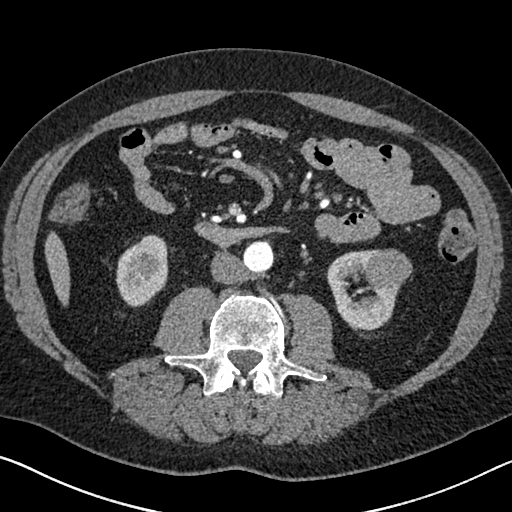
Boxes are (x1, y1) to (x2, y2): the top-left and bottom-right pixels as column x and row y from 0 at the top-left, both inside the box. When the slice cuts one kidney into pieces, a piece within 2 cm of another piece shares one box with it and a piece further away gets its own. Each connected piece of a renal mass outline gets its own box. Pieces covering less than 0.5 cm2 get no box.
This is axial slice 318 of 626 (slice 1 is the lowest) of an arterial-phase abdominal CT with contrast; each pixel is 0.703 mm and the slice is 1.00 mm thick. Boxed on this slice (two kidney boxes and one renal mass box), listed by box centre from the image's left to its right: (1) Right kidney, box (115, 234) to (168, 307) (outlined area 2,883 px, about 14.3 cm2). (2) Box (326, 249) to (399, 330): left kidney (outlined area 3,340 px, about 16.5 cm2). (3) Left renal mass, box (365, 249) to (412, 290) (outlined area 1,555 px, about 7.7 cm2).
Tube voltage 120 kVp; convolution kernel I30f.